Abdominal CT with intravenous contrast, axial plane, 120 kVp, kernel I40f. Slice 132/301 from the bottom of the scan; thickness 2.00 mm; pixel size 0.859 mm.
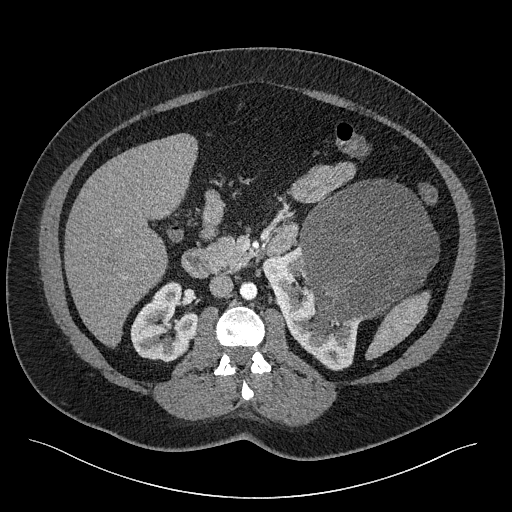
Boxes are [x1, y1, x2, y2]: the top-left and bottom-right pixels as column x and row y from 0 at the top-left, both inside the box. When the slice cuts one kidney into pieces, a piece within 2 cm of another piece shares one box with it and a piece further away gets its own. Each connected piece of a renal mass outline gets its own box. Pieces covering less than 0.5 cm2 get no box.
Three boxes on this slice (two kidney boxes and one renal mass box), listed by box centre from the image's left to its right. (1) Box [130, 281, 197, 362]: right kidney (outlined area 3,698 px, about 27.3 cm2). (2) Left kidney, box [261, 244, 361, 370] (outlined area 4,876 px, about 36.0 cm2). (3) Left renal mass at [298, 179, 439, 330] (outlined area 15,295 px, about 113.0 cm2).